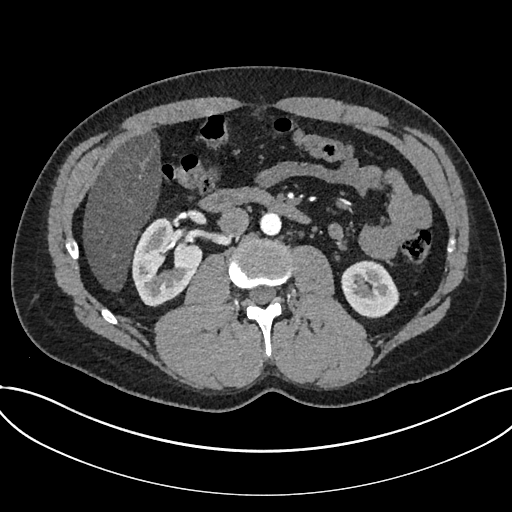
Abdominal CT with intravenous contrast, arterial phase, axial plane, 120 kVp, kernel I30f. Slice 391/735 from the bottom of the scan; thickness 1.00 mm; pixel size 0.789 mm.
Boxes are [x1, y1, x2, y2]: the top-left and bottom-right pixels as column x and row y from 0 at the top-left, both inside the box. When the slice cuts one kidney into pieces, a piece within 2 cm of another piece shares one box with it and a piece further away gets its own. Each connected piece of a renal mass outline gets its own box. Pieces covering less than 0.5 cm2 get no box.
Boxed on this slice (two kidney boxes), listed by box centre from the image's left to its right: (1) Kidney at [131, 217, 202, 306] (outlined area 4,264 px, about 26.5 cm2). (2) Kidney, box [341, 260, 399, 318] (outlined area 2,553 px, about 15.9 cm2). No renal mass is outlined on this slice.